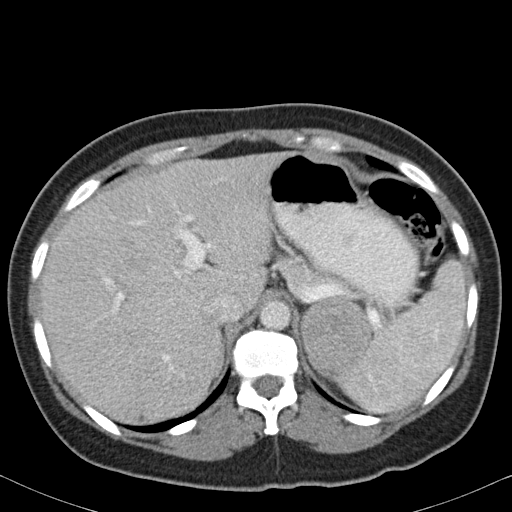
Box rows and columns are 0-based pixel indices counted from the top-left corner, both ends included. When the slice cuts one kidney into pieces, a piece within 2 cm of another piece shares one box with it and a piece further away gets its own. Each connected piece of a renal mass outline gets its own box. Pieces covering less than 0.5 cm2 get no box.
Slice 73/82 of a contrast-enhanced abdominal CT in the arterial phase, counting up from the lowest; pixel size 0.625 mm, slice thickness 5.00 mm. Box rows 298–376, columns 299–370: left renal mass (outlined area 4,414 px, about 17.2 cm2); no kidney outline appears on this slice, but the same outlined renal mass comes within 1 cm of the kidney on another slice.
Acquired at 120 kVp and reconstructed with the B31f kernel.